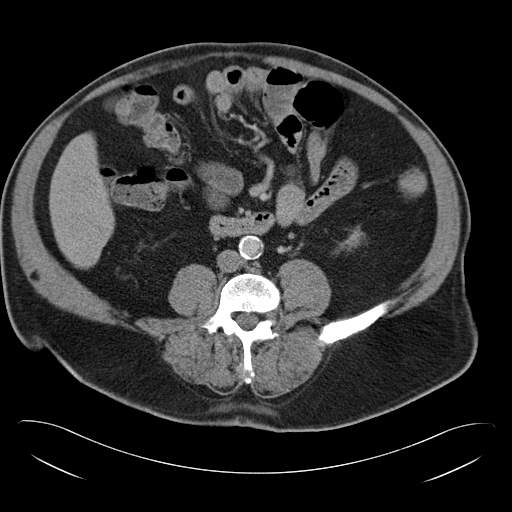
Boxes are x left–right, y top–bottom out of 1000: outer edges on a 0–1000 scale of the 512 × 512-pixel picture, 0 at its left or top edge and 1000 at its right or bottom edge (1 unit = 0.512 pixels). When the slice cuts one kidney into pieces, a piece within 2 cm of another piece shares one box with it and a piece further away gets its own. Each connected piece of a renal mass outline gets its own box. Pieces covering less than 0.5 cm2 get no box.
Arterial-phase contrast-enhanced abdominal CT, axial slice 7 of 34 (counted from the lowest slice); 5.00 mm thick, 0.830 mm per pixel. Box x 678–707, y 449–482 out of 1000: left kidney (outlined area 177 px, about 1.2 cm2). No renal mass outline on this slice.
Tube voltage 120 kVp; convolution kernel B30f.